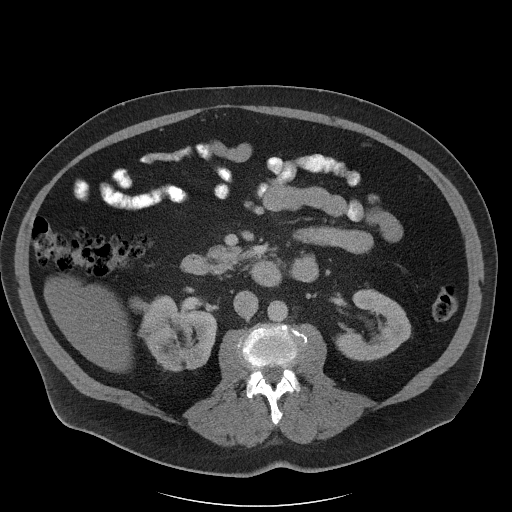
Axial slice 60 of 102 of a contrast-enhanced abdominal CT (slice 1 is the lowest), 120 kVp, kernel I40f; 5.00 mm slice thickness and 0.977 mm pixels.
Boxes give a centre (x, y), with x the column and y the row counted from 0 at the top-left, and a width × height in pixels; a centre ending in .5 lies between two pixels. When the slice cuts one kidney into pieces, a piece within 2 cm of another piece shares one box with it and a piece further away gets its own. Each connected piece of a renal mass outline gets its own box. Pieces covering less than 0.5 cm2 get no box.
Two boxes on this slice (two kidney boxes), listed by box centre from the image's left to its right. (1) Right kidney in a box with centre (173, 333), 87 × 77 pixels (outlined area 4,498 px, about 42.9 cm2). (2) Left kidney in a box with centre (372, 324.5), 77 × 72 pixels (outlined area 3,208 px, about 30.6 cm2). No renal mass outline on this slice.